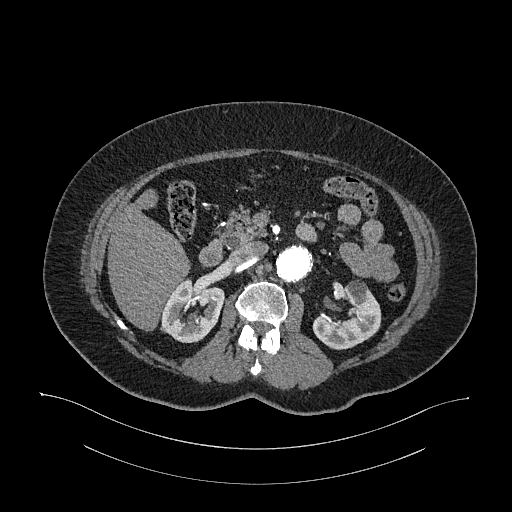
Abdominal CT with intravenous contrast, arterial phase, axial plane, 120 kVp, kernel I26f. Slice 675/987 from the bottom of the scan; thickness 1.00 mm; pixel size 0.977 mm.
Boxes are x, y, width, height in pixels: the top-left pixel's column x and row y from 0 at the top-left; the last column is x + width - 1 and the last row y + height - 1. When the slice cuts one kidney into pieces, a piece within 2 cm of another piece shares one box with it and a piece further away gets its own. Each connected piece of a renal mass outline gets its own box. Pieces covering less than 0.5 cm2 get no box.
Boxed on this slice (two kidney boxes), listed by box centre from the image's left to its right: (1) Box x 160, y 279, width 65, height 64: right kidney (outlined area 2,916 px, about 27.8 cm2). (2) Left kidney, box x 312, y 280, width 70, height 70 (outlined area 3,011 px, about 28.7 cm2). No renal mass is outlined on this slice.